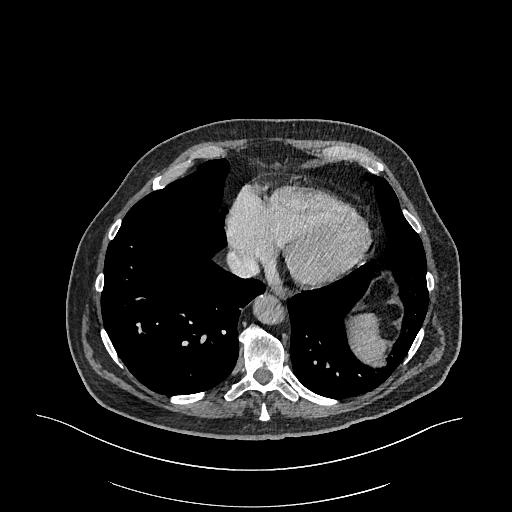
This is axial slice 391 of 470 (slice 1 is the lowest) of an arterial-phase abdominal CT with contrast; each pixel is 0.938 mm and the slice is 1.00 mm thick. No kidney and no renal mass is outlined on this slice; the outlines in this scan cover only the kidneys and the renal masses, so nothing is said about any other organ.
Tube voltage 120 kVp; convolution kernel I26f.